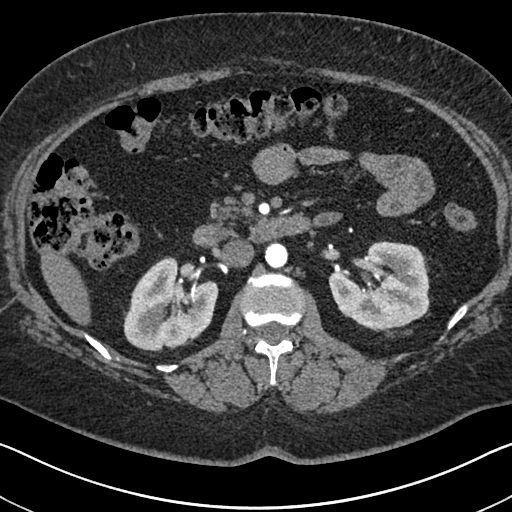
Axial slice 409 of 591 of a contrast-enhanced abdominal CT in the arterial phase (slice 1 is the lowest), 140 kVp, kernel I30f; 1.00 mm slice thickness and 0.703 mm pixels.
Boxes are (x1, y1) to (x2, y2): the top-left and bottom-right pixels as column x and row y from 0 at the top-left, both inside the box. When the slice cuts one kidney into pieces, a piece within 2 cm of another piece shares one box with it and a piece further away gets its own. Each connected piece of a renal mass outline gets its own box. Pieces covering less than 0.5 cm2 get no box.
Boxed on this slice (two kidney boxes), listed by box centre from the image's left to its right: (1) Right kidney from (123, 256) to (218, 351) (outlined area 6,328 px, about 31.3 cm2). (2) Box (328, 241) to (429, 330): left kidney (outlined area 6,674 px, about 33.0 cm2). No renal mass outline on this slice.